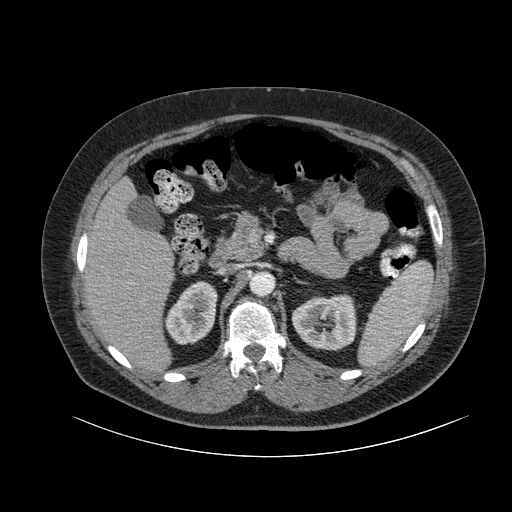
Contrast-enhanced abdominal CT, axial slice 60 of 105 (counted from the lowest slice); tube voltage 120 kVp, convolution kernel B; slices 3.00 mm thick, 0.977 mm per pixel.
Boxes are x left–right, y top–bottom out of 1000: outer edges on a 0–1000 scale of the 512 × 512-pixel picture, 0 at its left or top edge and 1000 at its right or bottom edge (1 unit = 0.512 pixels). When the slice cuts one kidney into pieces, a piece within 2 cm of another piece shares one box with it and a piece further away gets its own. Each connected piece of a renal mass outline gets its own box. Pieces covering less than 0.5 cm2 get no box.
Two kidney boxes on this slice; by box centre, from the image's left to its right: (1) Right kidney, box x 320–426, y 549–674 out of 1000 (outlined area 2,449 px, about 23.4 cm2). (2) Left kidney at x 568–697, y 574–686 out of 1000 (outlined area 2,975 px, about 28.4 cm2). No renal mass outline on this slice.